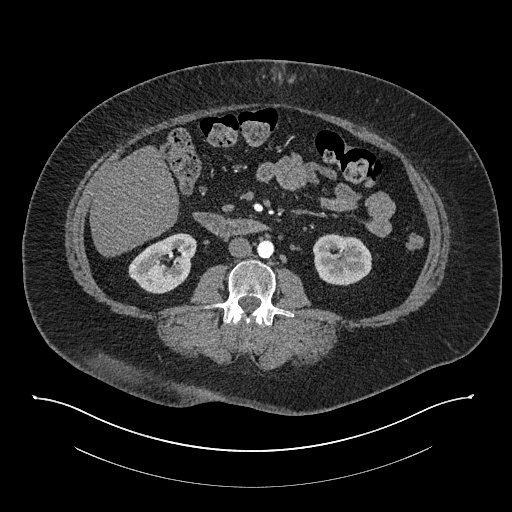
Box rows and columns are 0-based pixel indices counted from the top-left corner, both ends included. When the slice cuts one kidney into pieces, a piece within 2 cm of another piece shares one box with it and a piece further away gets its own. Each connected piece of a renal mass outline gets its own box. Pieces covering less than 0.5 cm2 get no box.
Arterial-phase contrast-enhanced abdominal CT, axial slice 401 of 673 (counted from the lowest slice); 1.00 mm thick, 0.957 mm per pixel. Boxed on this slice (two kidney boxes), listed by box centre from the image's left to its right: (1) Right kidney at rows 233–293, columns 128–196 (outlined area 2,825 px, about 25.9 cm2). (2) Left kidney at rows 234–285, columns 313–372 (outlined area 2,478 px, about 22.7 cm2). No renal mass is outlined on this slice.
Acquired at 140 kVp and reconstructed with the I30f kernel.